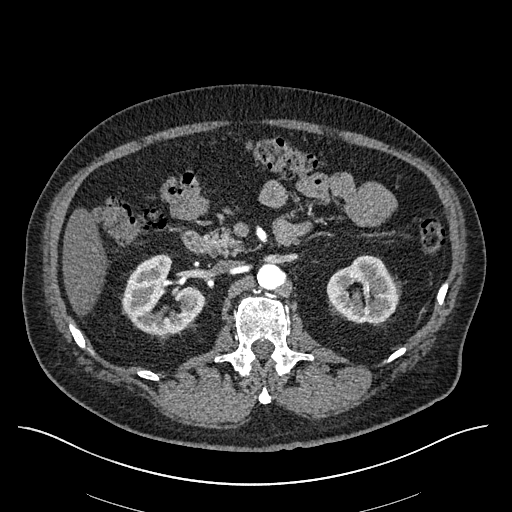
Abdominal CT with intravenous contrast, arterial phase, axial plane, 120 kVp, kernel I30f. Slice 355/670 from the bottom of the scan; thickness 1.00 mm; pixel size 0.861 mm.
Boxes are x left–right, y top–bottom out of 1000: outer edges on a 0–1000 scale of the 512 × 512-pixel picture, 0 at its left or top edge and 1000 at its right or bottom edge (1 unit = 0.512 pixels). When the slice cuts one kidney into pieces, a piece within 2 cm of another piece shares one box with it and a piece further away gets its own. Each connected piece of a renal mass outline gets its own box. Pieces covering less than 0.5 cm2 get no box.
Two kidney boxes on this slice; by box centre, from the image's left to its right: (1) Box x 236–400, y 496–656 out of 1000: right kidney (outlined area 4,453 px, about 33.0 cm2). (2) Box x 637–783, y 498–633 out of 1000: left kidney (outlined area 3,686 px, about 27.3 cm2). No renal mass outline on this slice.